Contrast-enhanced abdominal CT, axial slice 293 of 439 (counted from the lowest slice); tube voltage 100 kVp, convolution kernel I40f; slices 2.00 mm thick, 0.850 mm per pixel.
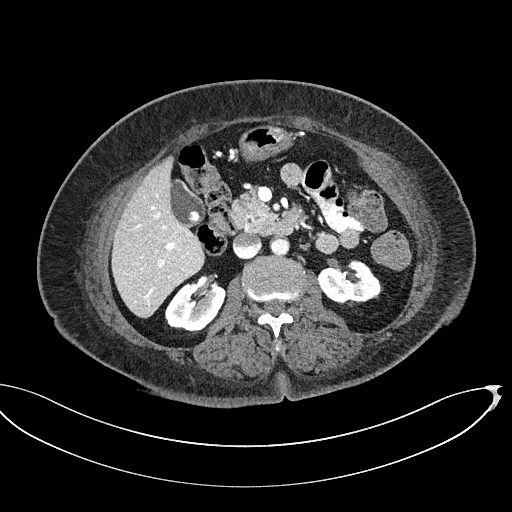
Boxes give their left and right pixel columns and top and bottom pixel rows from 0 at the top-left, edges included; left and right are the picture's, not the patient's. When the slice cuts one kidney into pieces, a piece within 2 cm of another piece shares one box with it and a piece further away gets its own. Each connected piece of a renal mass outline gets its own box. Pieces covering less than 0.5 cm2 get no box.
Two boxes on this slice (two kidney boxes), listed by box centre from the image's left to its right. (1) Right kidney in the box with left 165, top 282, right 225, bottom 333 (outlined area 2,237 px, about 16.1 cm2). (2) Left kidney in the box with left 318, top 260, right 382, bottom 306 (outlined area 2,106 px, about 15.2 cm2). This slice carries no renal mass outline.